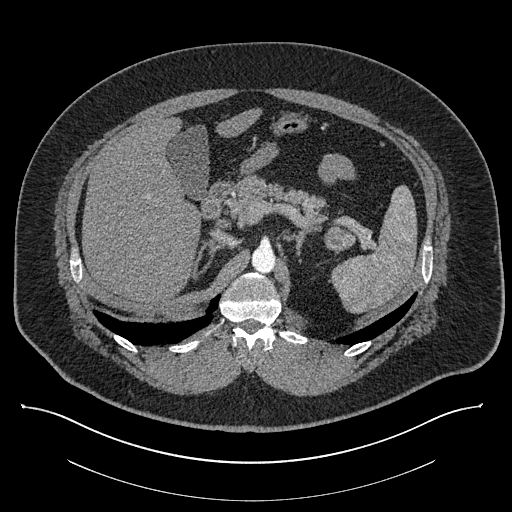
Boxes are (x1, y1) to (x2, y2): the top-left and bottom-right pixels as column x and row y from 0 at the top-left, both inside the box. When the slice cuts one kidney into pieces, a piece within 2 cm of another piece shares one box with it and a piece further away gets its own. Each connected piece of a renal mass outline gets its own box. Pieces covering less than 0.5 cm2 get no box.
Slice 578/787 of a contrast-enhanced abdominal CT, counting up from the lowest; pixel size 0.910 mm, slice thickness 1.00 mm. Box (324, 226) to (356, 251): left renal mass (outlined area 614 px, about 5.1 cm2); no kidney is outlined on this slice, but the same outlined renal mass comes within 1 cm of the kidney on another slice.
Scan settings: 140 kVp, I30f reconstruction kernel.